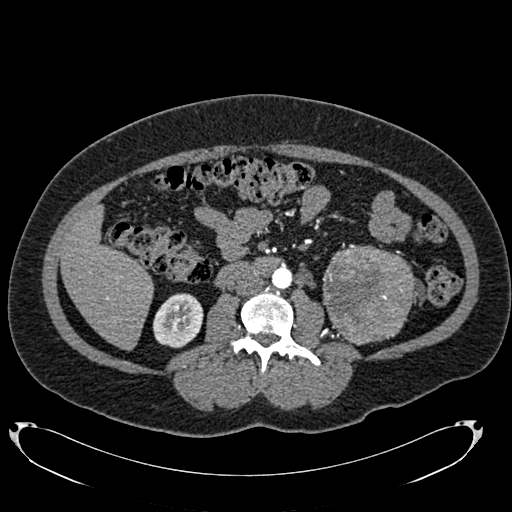
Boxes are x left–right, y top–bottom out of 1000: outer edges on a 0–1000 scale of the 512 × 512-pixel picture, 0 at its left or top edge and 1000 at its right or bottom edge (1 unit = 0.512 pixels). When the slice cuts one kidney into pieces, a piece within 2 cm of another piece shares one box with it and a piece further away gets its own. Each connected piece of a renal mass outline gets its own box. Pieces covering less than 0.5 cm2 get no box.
Slice 360/634 of a contrast-enhanced abdominal CT in the arterial phase, counting up from the lowest; pixel size 0.838 mm, slice thickness 1.00 mm. Two boxes on this slice (one kidney box and one renal mass box), listed by box centre from the image's left to its right. (1) Right kidney, box x 299–398, y 572–682 out of 1000 (outlined area 2,151 px, about 15.1 cm2). (2) Box x 629–813, y 477–676 out of 1000: left renal mass (outlined area 7,357 px, about 51.7 cm2); here it is more than 1 cm from any kidney outline, though on another slice the same outlined renal mass lies within 1 cm of the kidney.
Scan settings: 120 kVp, B20f reconstruction kernel.